Axial slice 23 of 97 of a contrast-enhanced abdominal CT in the arterial phase (slice 1 is the lowest), 100 kVp, kernel I40f; 3.00 mm slice thickness and 0.797 mm pixels.
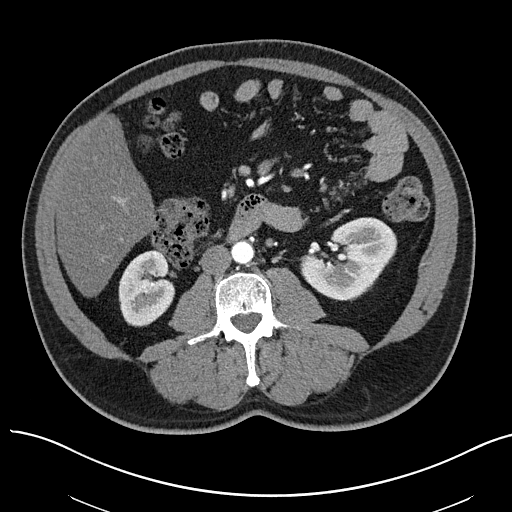
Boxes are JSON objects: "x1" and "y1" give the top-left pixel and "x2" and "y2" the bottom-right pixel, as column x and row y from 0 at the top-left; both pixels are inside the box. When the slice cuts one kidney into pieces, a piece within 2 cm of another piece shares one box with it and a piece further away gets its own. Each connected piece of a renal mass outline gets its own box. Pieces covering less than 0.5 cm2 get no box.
Two kidney boxes on this slice; by box centre, from the image's left to its right: (1) Right kidney, box {"x1": 118, "y1": 249, "x2": 175, "y2": 326} (outlined area 3,323 px, about 21.1 cm2). (2) Left kidney, box {"x1": 300, "y1": 217, "x2": 397, "y2": 300} (outlined area 5,414 px, about 34.4 cm2). This slice carries no renal mass outline.